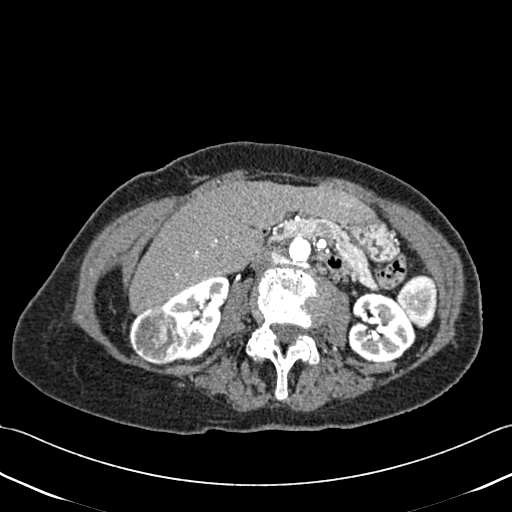
One axial slice (224 of 433, counting up from the lowest) of a contrast-enhanced abdominal CT acquired with 120 kVp, kernel B30f; each pixel is 0.672 mm and the slice is 1.00 mm thick.
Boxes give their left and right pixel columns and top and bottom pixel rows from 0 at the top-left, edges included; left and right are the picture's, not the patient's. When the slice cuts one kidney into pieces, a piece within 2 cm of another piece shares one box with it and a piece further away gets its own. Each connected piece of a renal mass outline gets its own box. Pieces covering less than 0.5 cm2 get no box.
Three boxes on this slice (two kidney boxes and one renal mass box), listed by box centre from the image's left to its right. (1) Right renal mass, the box with left 129, top 305, right 187, bottom 364 (outlined area 2,693 px, about 12.2 cm2). (2) Box with left 160, top 276, right 229, bottom 361: right kidney (outlined area 3,042 px, about 13.7 cm2). (3) Left kidney, the box with left 347, top 291, right 415, bottom 362 (outlined area 3,655 px, about 16.5 cm2).